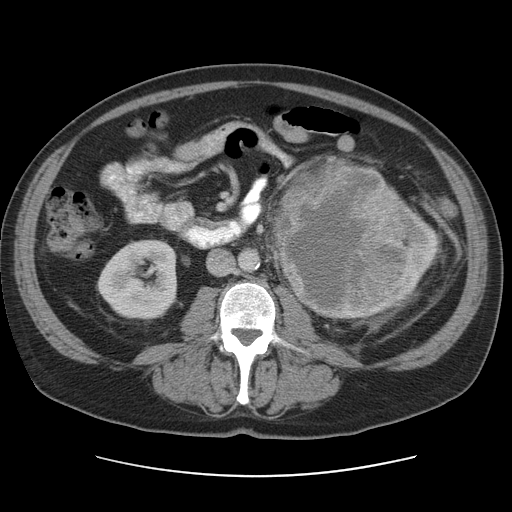
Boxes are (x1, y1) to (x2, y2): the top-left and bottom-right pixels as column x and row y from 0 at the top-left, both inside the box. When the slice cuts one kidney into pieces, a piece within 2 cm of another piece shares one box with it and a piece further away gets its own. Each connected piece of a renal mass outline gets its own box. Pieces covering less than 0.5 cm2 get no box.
This is axial slice 54 of 95 (slice 1 is the lowest) of an abdominal CT with contrast; each pixel is 0.781 mm and the slice is 5.00 mm thick. Two kidney boxes and one renal mass box on this slice; by box centre, from the image's left to its right: (1) Right kidney, box (98, 239) to (177, 320) (outlined area 5,204 px, about 31.8 cm2). (2) Box (268, 157) to (401, 322): left renal mass (outlined area 17,220 px, about 105.1 cm2). (3) Left kidney, box (379, 172) to (440, 311) (outlined area 2,795 px, about 17.1 cm2).
Tube voltage 120 kVp; convolution kernel STANDARD.